One axial slice (234 of 541, counting up from the lowest) of an arterial-phase abdominal CT acquired with 120 kVp, kernel I30f; each pixel is 0.834 mm and the slice is 1.00 mm thick.
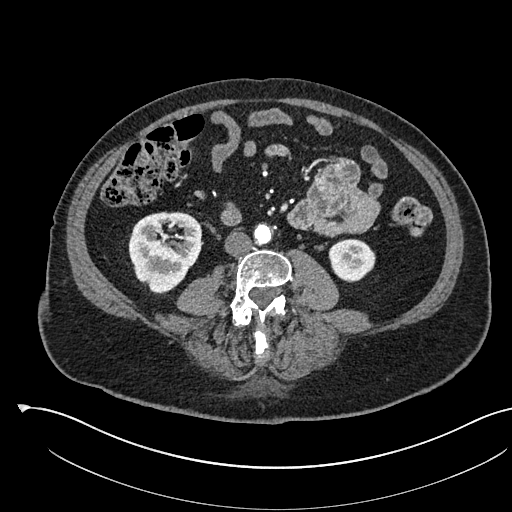
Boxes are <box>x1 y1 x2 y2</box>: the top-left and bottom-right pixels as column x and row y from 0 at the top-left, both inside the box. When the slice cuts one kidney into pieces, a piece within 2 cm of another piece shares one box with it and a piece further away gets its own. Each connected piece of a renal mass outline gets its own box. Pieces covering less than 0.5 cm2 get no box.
Two boxes on this slice (two kidney boxes), listed by box centre from the image's left to its right. (1) Right kidney: <box>128 211 201 293</box> (outlined area 4,598 px, about 32.0 cm2). (2) Left kidney at <box>328 238 375 282</box> (outlined area 1,603 px, about 11.1 cm2). No renal mass is outlined on this slice.